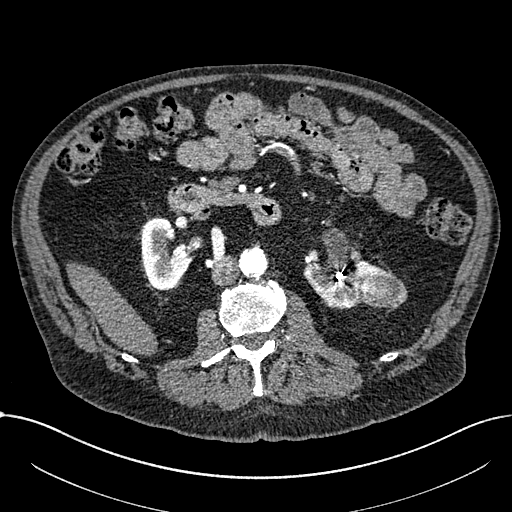
Axial slice 374 of 1059 of a contrast-enhanced abdominal CT in the arterial phase (slice 1 is the lowest), 100 kVp, kernel I30f; 1.00 mm slice thickness and 0.811 mm pixels.
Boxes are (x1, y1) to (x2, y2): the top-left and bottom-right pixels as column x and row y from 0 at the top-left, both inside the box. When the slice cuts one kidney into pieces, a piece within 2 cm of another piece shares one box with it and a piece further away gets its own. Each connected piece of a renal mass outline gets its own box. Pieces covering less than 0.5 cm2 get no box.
Boxed on this slice (two kidney boxes and one renal mass box), listed by box centre from the image's left to its right: (1) Box (141, 217) to (203, 290): right part of the midline-crossing kidney (outlined area 2,926 px, about 19.2 cm2). (2) Left part of the midline-crossing kidney from (303, 257) to (394, 309) (outlined area 2,591 px, about 17.0 cm2). (3) Renal mass, box (363, 274) to (407, 308) (outlined area 1,281 px, about 8.4 cm2).